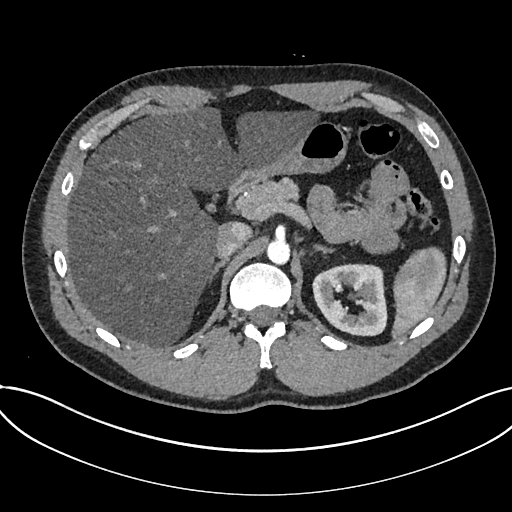
Axial slice 518 of 735 of a contrast-enhanced abdominal CT in the arterial phase (slice 1 is the lowest), 120 kVp, kernel I30f; 1.00 mm slice thickness and 0.789 mm pixels.
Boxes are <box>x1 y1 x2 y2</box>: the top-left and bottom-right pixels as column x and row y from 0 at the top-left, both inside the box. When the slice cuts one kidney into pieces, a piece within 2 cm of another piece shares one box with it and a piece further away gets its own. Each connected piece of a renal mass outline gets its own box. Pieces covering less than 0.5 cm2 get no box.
Kidney at <box>312 263 387 336</box> (outlined area 4,190 px, about 26.1 cm2). This slice carries no renal mass outline.